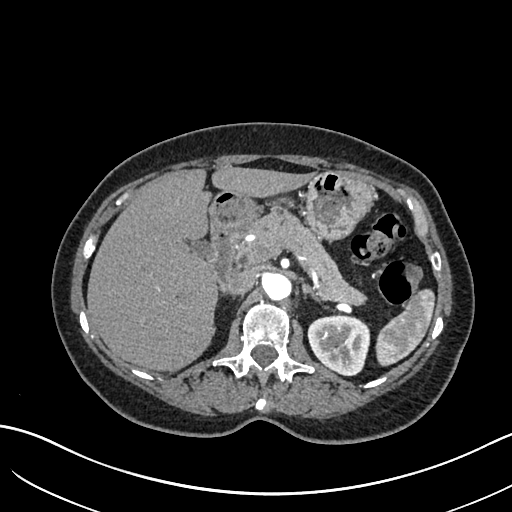
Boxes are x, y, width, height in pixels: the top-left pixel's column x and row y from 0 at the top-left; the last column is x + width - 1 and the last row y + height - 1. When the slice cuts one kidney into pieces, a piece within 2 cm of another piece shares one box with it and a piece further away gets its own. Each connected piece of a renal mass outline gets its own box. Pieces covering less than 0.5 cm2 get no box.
Slice 441/683 of a contrast-enhanced abdominal CT in the arterial phase, counting up from the lowest; pixel size 0.738 mm, slice thickness 1.00 mm. Box x 307, y 315, width 64, height 62: left kidney (outlined area 3,021 px, about 16.5 cm2). No renal mass outline on this slice.
Acquired at 120 kVp and reconstructed with the I30f kernel.